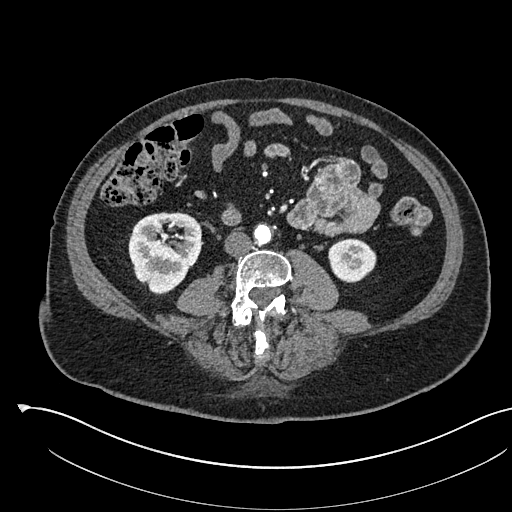
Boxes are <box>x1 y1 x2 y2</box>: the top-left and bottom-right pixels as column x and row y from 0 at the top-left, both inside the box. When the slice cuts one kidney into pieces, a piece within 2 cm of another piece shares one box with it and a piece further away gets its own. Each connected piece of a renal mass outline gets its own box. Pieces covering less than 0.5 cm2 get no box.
Arterial-phase contrast-enhanced abdominal CT, axial slice 235 of 541 (counted from the lowest slice); 1.00 mm thick, 0.834 mm per pixel. Boxed on this slice (two kidney boxes), listed by box centre from the image's left to its right: (1) Right kidney at <box>128 212 201 294</box> (outlined area 4,597 px, about 32.0 cm2). (2) At <box>328 238 376 282</box>: left kidney (outlined area 1,686 px, about 11.7 cm2). This slice carries no renal mass outline.
Tube voltage 120 kVp; convolution kernel I30f.